One axial slice (127 of 316, counting up from the lowest) of an arterial-phase abdominal CT acquired with 100 kVp, kernel I40f; each pixel is 0.840 mm and the slice is 2.00 mm thick.
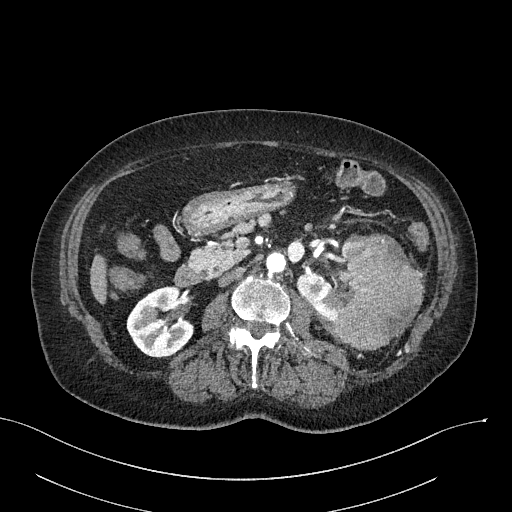
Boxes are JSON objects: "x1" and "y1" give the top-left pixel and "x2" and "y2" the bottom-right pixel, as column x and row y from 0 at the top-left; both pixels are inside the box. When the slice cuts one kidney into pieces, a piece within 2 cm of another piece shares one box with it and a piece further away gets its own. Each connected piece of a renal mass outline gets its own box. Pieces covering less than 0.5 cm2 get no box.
Three boxes on this slice (two kidney boxes and one renal mass box), listed by box centre from the image's left to its right. (1) Right kidney at {"x1": 126, "y1": 286, "x2": 194, "y2": 357} (outlined area 3,519 px, about 24.8 cm2). (2) Left kidney at {"x1": 296, "y1": 238, "x2": 351, "y2": 322} (outlined area 2,616 px, about 18.5 cm2). (3) Box {"x1": 333, "y1": 233, "x2": 424, "y2": 349}: left renal mass (outlined area 7,516 px, about 53.0 cm2).